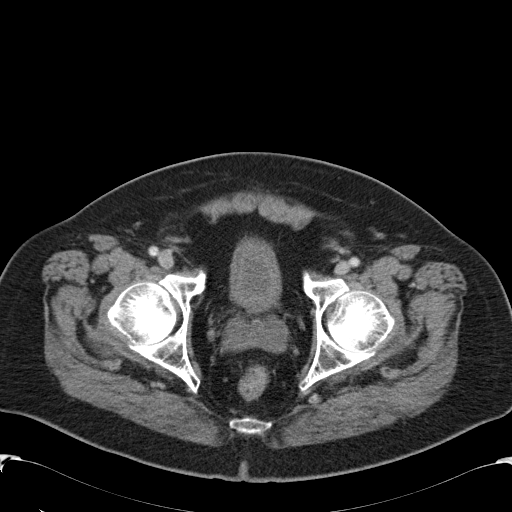
Slice 24/99 of a contrast-enhanced abdominal CT, counting up from the lowest; pixel size 0.742 mm, slice thickness 5.00 mm. No kidney and no renal mass is outlined on this slice; the outlines in this scan cover only the kidneys and the renal masses, so nothing is said about any other organ.
Tube voltage 120 kVp; convolution kernel B31f.